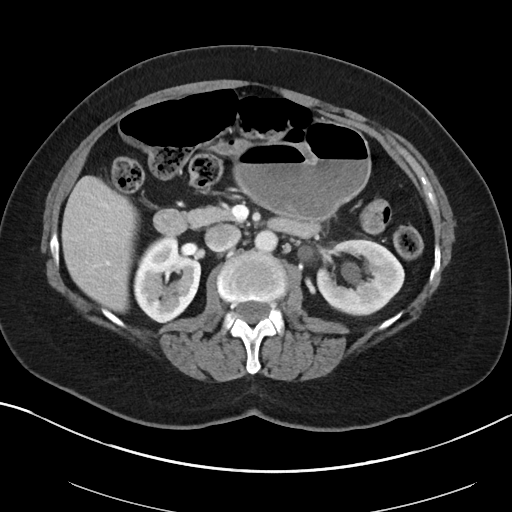
Arterial-phase contrast-enhanced abdominal CT, axial slice 56 of 88 (counted from the lowest slice); tube voltage 100 kVp, convolution kernel I40f; slices 5.00 mm thick, 0.705 mm per pixel.
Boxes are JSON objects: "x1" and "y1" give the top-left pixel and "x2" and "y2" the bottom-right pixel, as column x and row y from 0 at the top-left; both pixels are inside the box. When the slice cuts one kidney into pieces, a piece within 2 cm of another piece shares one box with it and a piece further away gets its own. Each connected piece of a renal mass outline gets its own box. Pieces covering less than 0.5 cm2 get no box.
Boxed on this slice (two kidney boxes), listed by box centre from the image's left to its right: (1) Right kidney, box {"x1": 133, "y1": 236, "x2": 201, "y2": 323} (outlined area 4,107 px, about 20.4 cm2). (2) Box {"x1": 316, "y1": 239, "x2": 404, "y2": 316}: left kidney (outlined area 4,630 px, about 23.0 cm2). This slice carries no renal mass outline.